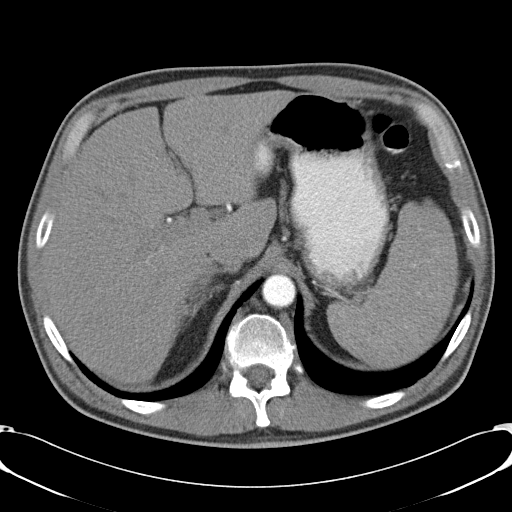
This is axial slice 40 of 57 (slice 1 is the lowest) of an abdominal CT with contrast; each pixel is 0.732 mm and the slice is 5.00 mm thick. No kidney and no renal mass is outlined on this slice; the outlines in this scan cover only the kidneys and the renal masses, so nothing is said about any other organ.
Tube voltage 120 kVp; convolution kernel B31f.